Arterial-phase contrast-enhanced abdominal CT, axial slice 355 of 548 (counted from the lowest slice); tube voltage 120 kVp, convolution kernel I26f; slices 1.00 mm thick, 0.852 mm per pixel.
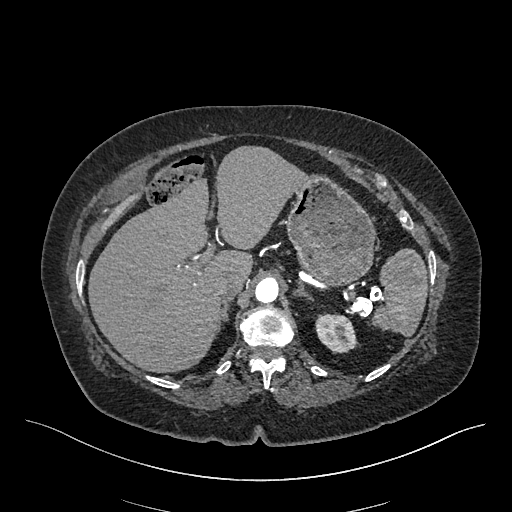
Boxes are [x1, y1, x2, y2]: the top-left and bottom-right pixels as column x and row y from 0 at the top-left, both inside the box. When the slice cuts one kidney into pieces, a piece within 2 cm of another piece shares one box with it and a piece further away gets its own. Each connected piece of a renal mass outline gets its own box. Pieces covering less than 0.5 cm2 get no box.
Left kidney, box [315, 313, 356, 353] (outlined area 1,299 px, about 9.4 cm2). No renal mass outline on this slice.